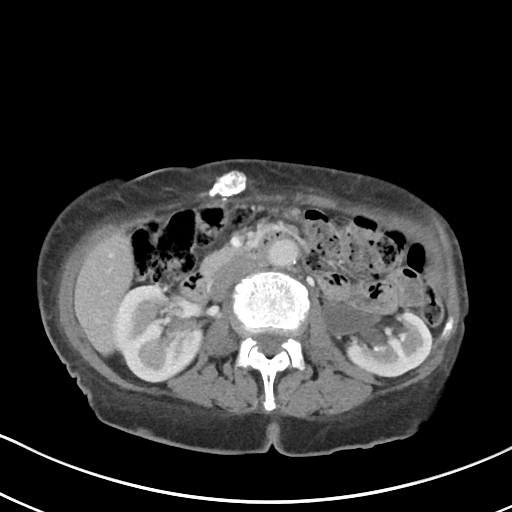
One axial slice (55 of 80, counting up from the lowest) of an arterial-phase abdominal CT acquired with 100 kVp, kernel I40f; each pixel is 0.648 mm and the slice is 5.00 mm thick.
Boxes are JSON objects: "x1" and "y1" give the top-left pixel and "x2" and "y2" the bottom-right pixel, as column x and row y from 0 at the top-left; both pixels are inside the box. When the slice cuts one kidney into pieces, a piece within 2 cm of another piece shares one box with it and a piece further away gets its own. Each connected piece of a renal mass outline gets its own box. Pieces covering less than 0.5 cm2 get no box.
Two kidney boxes on this slice; by box centre, from the image's left to its right: (1) Right kidney, box {"x1": 116, "y1": 285, "x2": 203, "y2": 381} (outlined area 5,887 px, about 24.8 cm2). (2) Left kidney, box {"x1": 322, "y1": 303, "x2": 431, "y2": 376} (outlined area 4,709 px, about 19.8 cm2). No renal mass is outlined on this slice.